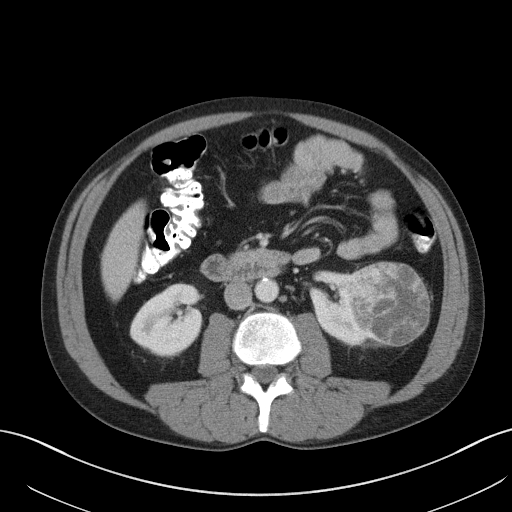
One axial slice (54 of 131, counting up from the lowest) of an arterial-phase abdominal CT acquired with 120 kVp, kernel B41f; each pixel is 0.760 mm and the slice is 5.00 mm thick.
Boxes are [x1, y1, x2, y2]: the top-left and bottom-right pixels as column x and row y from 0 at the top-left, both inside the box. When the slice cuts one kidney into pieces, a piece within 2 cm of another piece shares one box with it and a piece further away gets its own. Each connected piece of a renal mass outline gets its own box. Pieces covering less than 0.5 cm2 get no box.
Three boxes on this slice (two kidney boxes and one renal mass box), listed by box centre from the image's left to its right. (1) Right kidney, box [130, 283, 202, 356] (outlined area 3,878 px, about 22.4 cm2). (2) Left kidney, box [309, 271, 369, 345] (outlined area 2,358 px, about 13.6 cm2). (3) Left renal mass at [345, 262, 429, 345] (outlined area 5,636 px, about 32.5 cm2).